Abdominal CT with intravenous contrast, axial plane, 120 kVp, kernel B41f. Slice 7/94 from the bottom of the scan; thickness 3.00 mm; pixel size 0.977 mm.
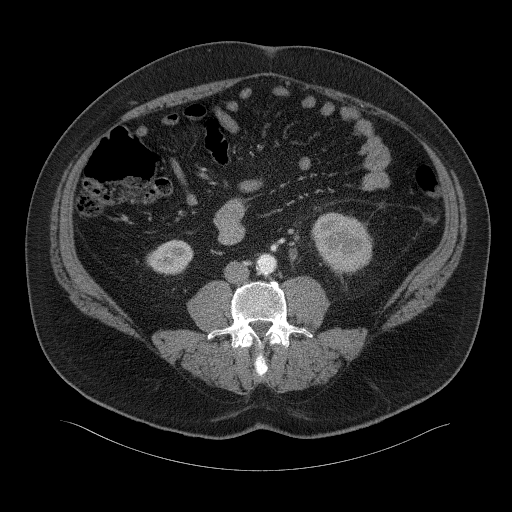
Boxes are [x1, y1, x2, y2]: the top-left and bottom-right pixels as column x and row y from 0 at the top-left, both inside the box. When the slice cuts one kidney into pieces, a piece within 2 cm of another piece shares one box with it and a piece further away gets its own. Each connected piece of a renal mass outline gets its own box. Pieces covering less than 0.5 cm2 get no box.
Two kidney boxes on this slice; by box centre, from the image's left to its right: (1) Box [146, 239, 193, 275]: right kidney (outlined area 1,247 px, about 11.9 cm2). (2) Left kidney, box [311, 212, 372, 273] (outlined area 2,842 px, about 27.1 cm2). No renal mass is outlined on this slice.